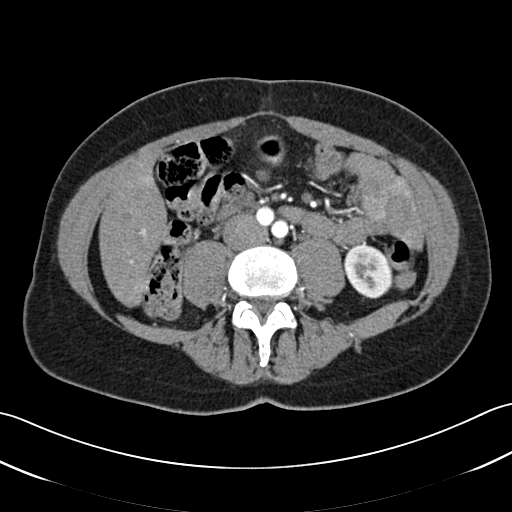
Abdominal CT with intravenous contrast, arterial phase, axial plane, 120 kVp, kernel B30f. Slice 7/52 from the bottom of the scan; thickness 3.00 mm; pixel size 0.678 mm.
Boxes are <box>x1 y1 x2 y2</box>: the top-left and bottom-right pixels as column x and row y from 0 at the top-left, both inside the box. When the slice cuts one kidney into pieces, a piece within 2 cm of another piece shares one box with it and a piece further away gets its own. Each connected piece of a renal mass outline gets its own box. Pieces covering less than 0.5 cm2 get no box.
Left kidney at <box>342 245 392 298</box> (outlined area 2,050 px, about 9.4 cm2). No renal mass outline on this slice.